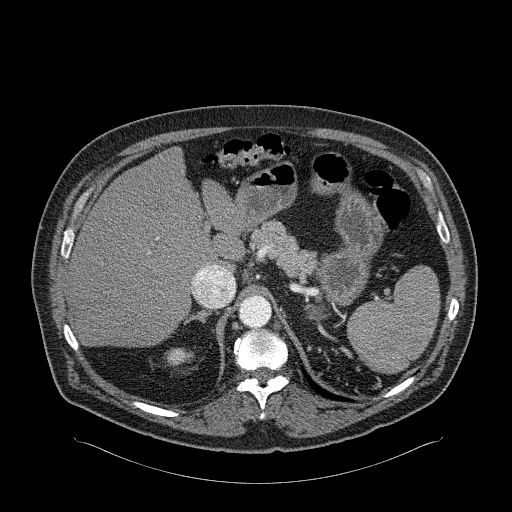
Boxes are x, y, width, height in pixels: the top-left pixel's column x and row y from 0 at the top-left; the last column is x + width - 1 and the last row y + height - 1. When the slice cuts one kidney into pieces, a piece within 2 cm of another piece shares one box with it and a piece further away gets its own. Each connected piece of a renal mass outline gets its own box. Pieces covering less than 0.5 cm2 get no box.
Arterial-phase contrast-enhanced abdominal CT, axial slice 203 of 326 (counted from the lowest slice); 2.00 mm thick, 0.963 mm per pixel. Right kidney, box x 165, y 348, width 28, height 19 (outlined area 393 px, about 3.6 cm2). No renal mass is outlined on this slice.
Acquired at 120 kVp and reconstructed with the B31f kernel.